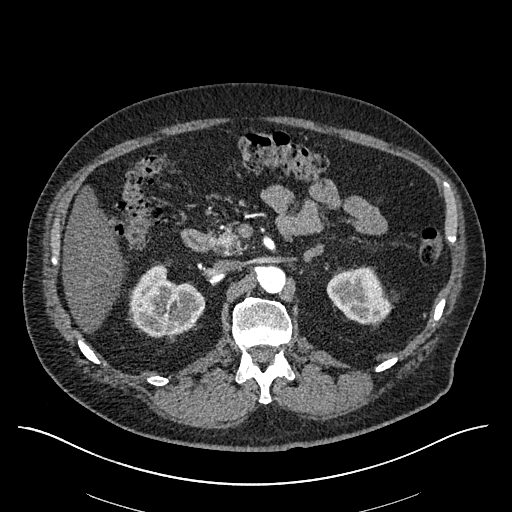
Arterial-phase contrast-enhanced abdominal CT, axial slice 373 of 670 (counted from the lowest slice); tube voltage 120 kVp, convolution kernel I30f; slices 1.00 mm thick, 0.861 mm per pixel.
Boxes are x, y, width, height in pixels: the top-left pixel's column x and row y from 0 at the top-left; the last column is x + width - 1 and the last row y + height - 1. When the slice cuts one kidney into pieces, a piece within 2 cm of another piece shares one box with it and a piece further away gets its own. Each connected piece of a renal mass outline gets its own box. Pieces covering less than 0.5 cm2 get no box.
Two boxes on this slice (two kidney boxes), listed by box centre from the image's left to its right. (1) Box x 129, y 263, width 77, height 76: right kidney (outlined area 3,887 px, about 28.8 cm2). (2) Box x 326, y 266, width 68, height 60: left kidney (outlined area 2,769 px, about 20.5 cm2). No renal mass is outlined on this slice.